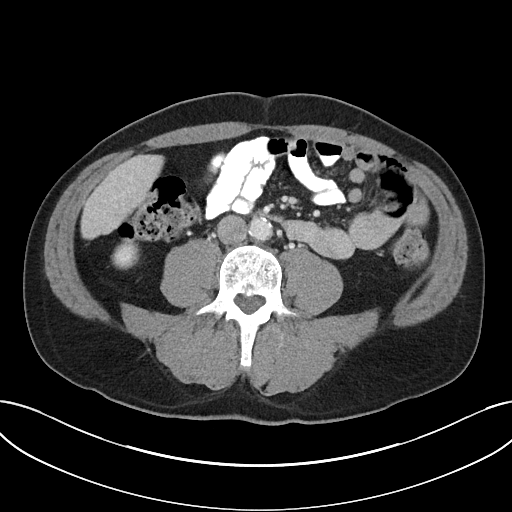
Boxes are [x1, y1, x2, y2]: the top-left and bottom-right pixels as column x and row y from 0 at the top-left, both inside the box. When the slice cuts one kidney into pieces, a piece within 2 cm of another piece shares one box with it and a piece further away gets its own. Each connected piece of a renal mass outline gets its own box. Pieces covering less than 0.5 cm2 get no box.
Slice 3/32 of a contrast-enhanced abdominal CT in the arterial phase, counting up from the lowest; pixel size 0.779 mm, slice thickness 5.00 mm. Box [111, 241, 139, 269]: right kidney (outlined area 640 px, about 3.9 cm2). This slice carries no renal mass outline.
Tube voltage 100 kVp; convolution kernel I40f.